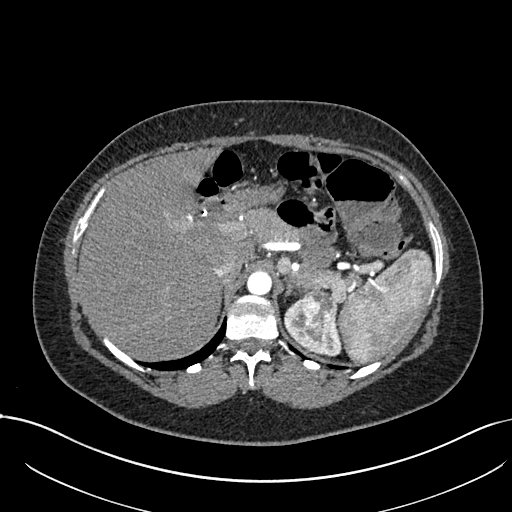
One axial slice (550 of 738, counting up from the lowest) of an arterial-phase abdominal CT acquired with 120 kVp, kernel I30f; each pixel is 0.789 mm and the slice is 1.00 mm thick.
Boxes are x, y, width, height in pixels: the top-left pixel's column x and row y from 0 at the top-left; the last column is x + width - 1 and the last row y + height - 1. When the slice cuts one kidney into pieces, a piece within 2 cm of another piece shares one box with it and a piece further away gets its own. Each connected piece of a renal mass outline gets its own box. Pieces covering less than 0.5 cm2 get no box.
Two boxes on this slice (one kidney box and one renal mass box), listed by box centre from the image's left to its right. (1) Left kidney, box x 284, y 298, width 58, height 60 (outlined area 1,334 px, about 8.3 cm2). (2) Left renal mass at x 301, y 289, width 36, height 54 (outlined area 1,530 px, about 9.5 cm2).